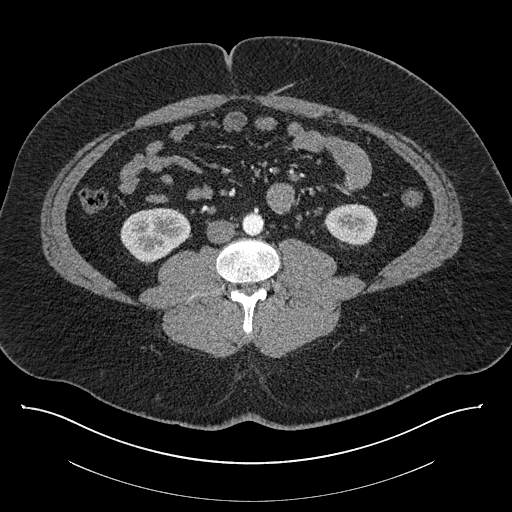
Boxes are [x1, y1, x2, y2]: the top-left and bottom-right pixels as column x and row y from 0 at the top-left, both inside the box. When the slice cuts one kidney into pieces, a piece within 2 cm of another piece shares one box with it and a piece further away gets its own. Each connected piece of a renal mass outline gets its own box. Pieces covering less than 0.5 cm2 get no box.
Slice 372/787 of a contrast-enhanced abdominal CT, counting up from the lowest; pixel size 0.910 mm, slice thickness 1.00 mm. Two kidney boxes on this slice; by box centre, from the image's left to its right: (1) Right kidney at [120, 207, 190, 262] (outlined area 2,894 px, about 24.0 cm2). (2) Left kidney at [325, 203, 377, 245] (outlined area 1,741 px, about 14.4 cm2). No renal mass is outlined on this slice.
Acquired at 140 kVp and reconstructed with the I30f kernel.